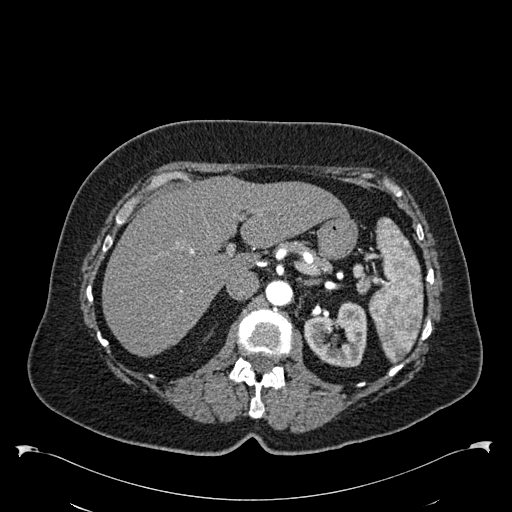
Axial slice 395 of 538 of a contrast-enhanced abdominal CT in the arterial phase (slice 1 is the lowest), 120 kVp, kernel B30f; 1.00 mm slice thickness and 0.811 mm pixels.
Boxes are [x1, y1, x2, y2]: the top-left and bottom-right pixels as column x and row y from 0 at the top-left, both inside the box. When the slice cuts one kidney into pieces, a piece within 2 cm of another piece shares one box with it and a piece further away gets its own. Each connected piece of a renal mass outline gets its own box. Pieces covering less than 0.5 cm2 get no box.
Box [304, 301, 367, 367]: left kidney (outlined area 2,986 px, about 19.6 cm2). This slice carries no renal mass outline.